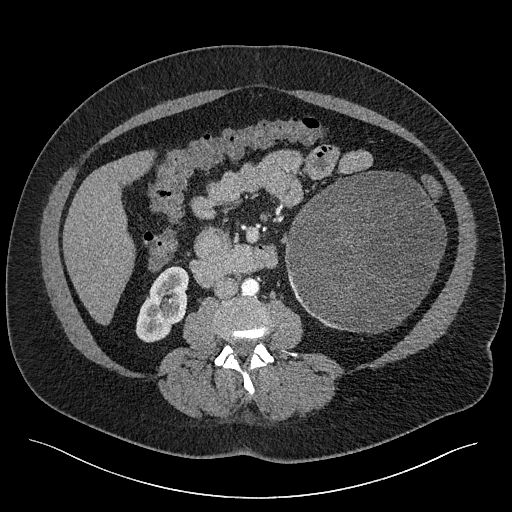
Abdominal CT with intravenous contrast, axial plane, 120 kVp, kernel I40f. Slice 102/301 from the bottom of the scan; thickness 2.00 mm; pixel size 0.859 mm.
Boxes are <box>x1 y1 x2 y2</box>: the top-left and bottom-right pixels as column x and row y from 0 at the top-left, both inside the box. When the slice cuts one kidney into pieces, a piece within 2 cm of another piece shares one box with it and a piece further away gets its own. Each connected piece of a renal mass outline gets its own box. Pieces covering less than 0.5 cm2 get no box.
One kidney box and one renal mass box on this slice; by box centre, from the image's left to its right: (1) Right kidney: <box>135 266 189 342</box> (outlined area 2,759 px, about 20.4 cm2). (2) Left renal mass at <box>285 171 446 333</box> (outlined area 20,171 px, about 149.0 cm2); on this slice it lies more than 1 cm from any kidney outline, but the same outlined renal mass comes within 1 cm of the kidney on another slice.